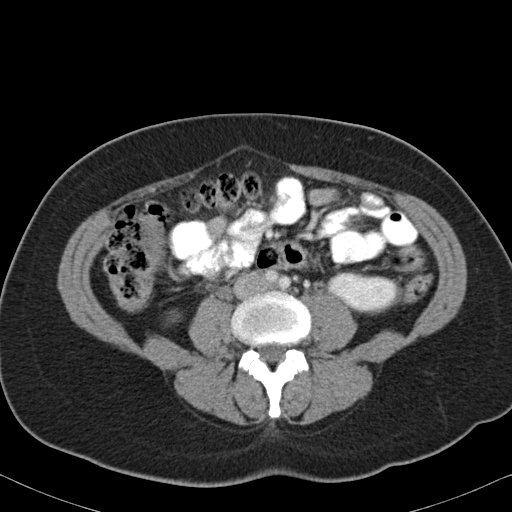
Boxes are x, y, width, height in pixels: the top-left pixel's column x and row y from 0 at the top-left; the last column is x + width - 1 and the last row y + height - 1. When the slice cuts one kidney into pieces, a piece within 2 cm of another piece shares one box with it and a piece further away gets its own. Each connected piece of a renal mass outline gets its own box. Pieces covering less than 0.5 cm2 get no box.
Arterial-phase contrast-enhanced abdominal CT, axial slice 49 of 82 (counted from the lowest slice); 5.00 mm thick, 0.625 mm per pixel. Left kidney, box x 326, y 272, width 77, height 41 (outlined area 2,305 px, about 9.0 cm2). No renal mass is outlined on this slice.
Acquired at 120 kVp and reconstructed with the B31f kernel.